Axial slice 508 of 705 of a contrast-enhanced abdominal CT in the arterial phase (slice 1 is the lowest), 120 kVp, kernel I30f; 1.00 mm slice thickness and 0.703 mm pixels.
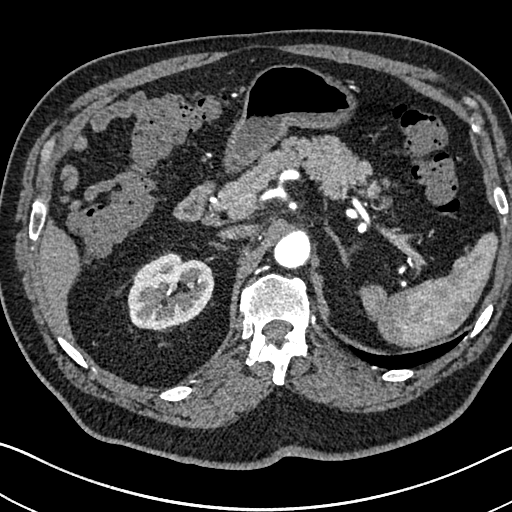
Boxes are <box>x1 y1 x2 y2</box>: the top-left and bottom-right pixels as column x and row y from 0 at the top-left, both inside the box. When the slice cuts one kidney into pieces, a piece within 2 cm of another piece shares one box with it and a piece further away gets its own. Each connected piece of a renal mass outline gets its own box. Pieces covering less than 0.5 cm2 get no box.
Right kidney at <box>127 251 214 330</box> (outlined area 5,106 px, about 25.2 cm2). This slice carries no renal mass outline.